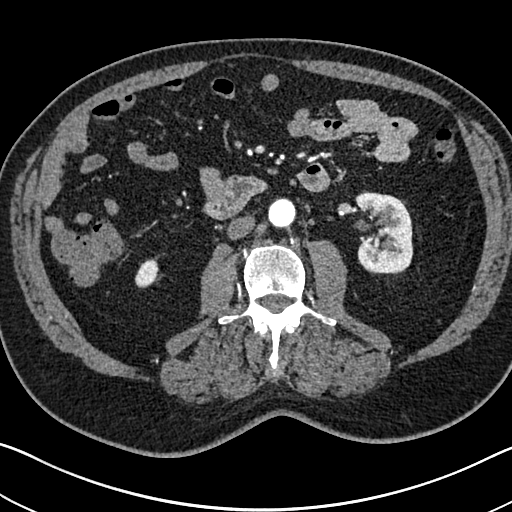
One axial slice (352 of 705, counting up from the lowest) of an arterial-phase abdominal CT acquired with 120 kVp, kernel I30f; each pixel is 0.703 mm and the slice is 1.00 mm thick.
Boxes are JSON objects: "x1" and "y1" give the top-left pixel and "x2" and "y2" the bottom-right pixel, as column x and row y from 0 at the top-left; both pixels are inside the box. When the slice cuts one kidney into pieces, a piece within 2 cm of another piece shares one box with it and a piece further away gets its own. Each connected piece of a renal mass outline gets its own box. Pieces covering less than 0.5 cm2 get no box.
Two kidney boxes on this slice; by box centre, from the image's left to its right: (1) Right kidney, box {"x1": 135, "y1": 258, "x2": 158, "y2": 287} (outlined area 505 px, about 2.5 cm2). (2) Left kidney at {"x1": 354, "y1": 191, "x2": 413, "y2": 274} (outlined area 3,936 px, about 19.5 cm2). This slice carries no renal mass outline.